Contrast-enhanced abdominal CT, axial slice 307 of 439 (counted from the lowest slice); tube voltage 100 kVp, convolution kernel I40f; slices 2.00 mm thick, 0.850 mm per pixel.
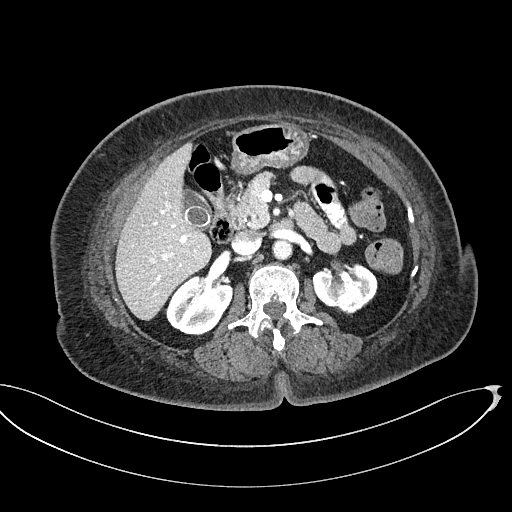
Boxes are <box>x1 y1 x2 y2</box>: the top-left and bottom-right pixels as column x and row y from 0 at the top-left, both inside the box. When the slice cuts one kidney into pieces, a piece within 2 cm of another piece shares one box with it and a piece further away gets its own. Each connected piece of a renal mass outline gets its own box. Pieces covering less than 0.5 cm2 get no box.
Two kidney boxes on this slice; by box centre, from the image's left to its right: (1) Right kidney: <box>165 275 232 335</box> (outlined area 2,943 px, about 21.2 cm2). (2) At <box>312 264 377 315</box>: left kidney (outlined area 2,478 px, about 17.9 cm2). This slice carries no renal mass outline.